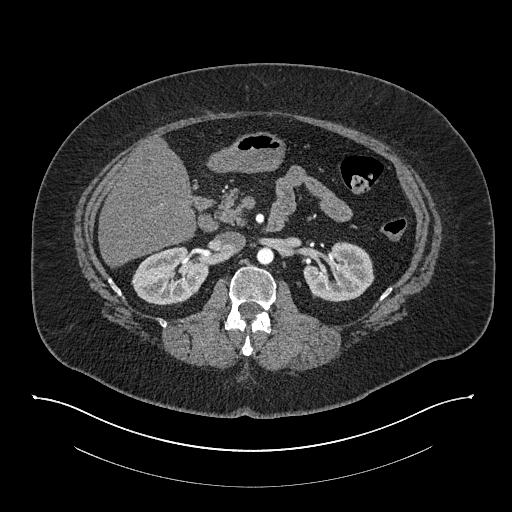
Arterial-phase contrast-enhanced abdominal CT, axial slice 480 of 673 (counted from the lowest slice); tube voltage 140 kVp, convolution kernel I30f; slices 1.00 mm thick, 0.957 mm per pixel.
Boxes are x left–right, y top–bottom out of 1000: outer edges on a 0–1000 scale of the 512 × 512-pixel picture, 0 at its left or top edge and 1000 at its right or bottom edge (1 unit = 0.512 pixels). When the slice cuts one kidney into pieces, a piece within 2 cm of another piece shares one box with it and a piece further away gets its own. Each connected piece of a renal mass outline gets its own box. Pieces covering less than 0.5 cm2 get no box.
Boxed on this slice (two kidney boxes), listed by box centre from the image's left to its right: (1) Box x 256–410, y 480–598 out of 1000: right kidney (outlined area 3,347 px, about 30.7 cm2). (2) Left kidney, box x 592–732, y 473–590 out of 1000 (outlined area 3,160 px, about 28.9 cm2). This slice carries no renal mass outline.